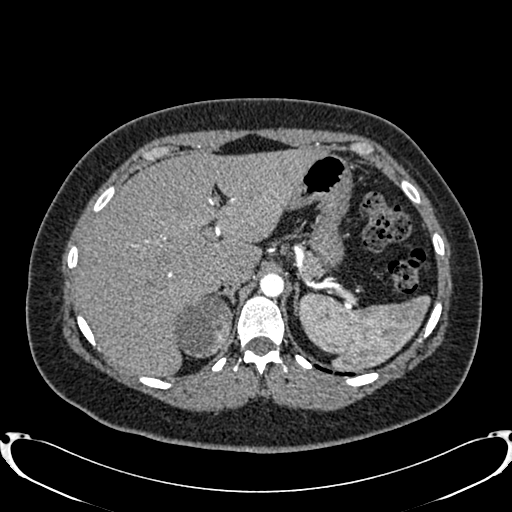
One axial slice (614 of 719, counting up from the lowest) of an arterial-phase abdominal CT acquired with 120 kVp, kernel B20f; each pixel is 0.766 mm and the slice is 1.00 mm thick.
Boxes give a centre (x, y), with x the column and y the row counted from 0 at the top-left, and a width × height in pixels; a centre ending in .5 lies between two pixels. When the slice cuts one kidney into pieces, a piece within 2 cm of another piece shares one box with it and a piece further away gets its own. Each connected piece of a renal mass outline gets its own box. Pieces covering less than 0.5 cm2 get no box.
Right renal mass in a box with centre (201.5, 326), 62 × 65 pixels (outlined area 2,891 px, about 16.9 cm2); this slice has no kidney outline, though on another slice the same outlined renal mass lies within 1 cm of the kidney.